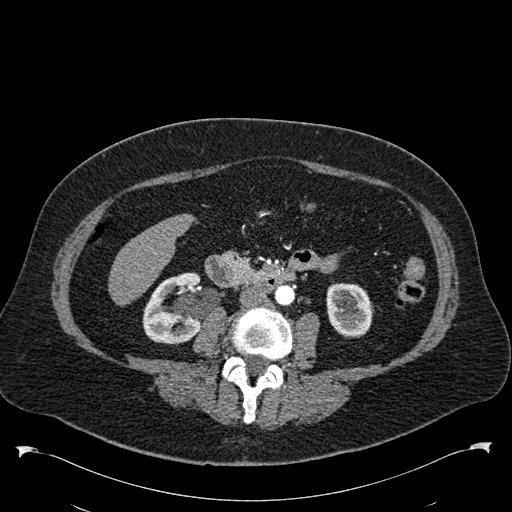
One axial slice (262 of 538, counting up from the lowest) of an arterial-phase abdominal CT acquired with 120 kVp, kernel B30f; each pixel is 0.811 mm and the slice is 1.00 mm thick.
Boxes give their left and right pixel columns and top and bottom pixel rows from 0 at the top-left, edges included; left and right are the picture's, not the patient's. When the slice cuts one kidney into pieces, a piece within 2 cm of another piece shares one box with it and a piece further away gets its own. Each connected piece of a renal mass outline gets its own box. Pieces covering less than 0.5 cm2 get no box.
Boxed on this slice (two kidney boxes), listed by box centre from the image's left to its right: (1) Box with left 142, top 272, right 200, bottom 344: right kidney (outlined area 3,282 px, about 21.6 cm2). (2) Box with left 326, top 283, right 373, bottom 337: left kidney (outlined area 2,132 px, about 14.0 cm2). No renal mass outline on this slice.